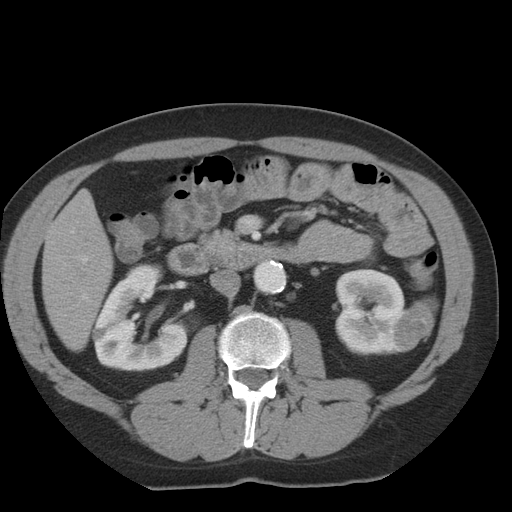
Arterial-phase contrast-enhanced abdominal CT, axial slice 12 of 36 (counted from the lowest slice); tube voltage 140 kVp, convolution kernel STANDARD; slices 5.00 mm thick, 0.703 mm per pixel.
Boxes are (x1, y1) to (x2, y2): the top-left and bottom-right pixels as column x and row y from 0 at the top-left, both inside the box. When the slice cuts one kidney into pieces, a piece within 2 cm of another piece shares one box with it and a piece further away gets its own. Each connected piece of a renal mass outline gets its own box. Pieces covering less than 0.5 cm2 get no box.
Boxed on this slice (two kidney boxes and one renal mass box), listed by box centre from the image's left to its right: (1) Right kidney from (92, 263) to (189, 371) (outlined area 6,941 px, about 34.3 cm2). (2) Left kidney from (335, 268) to (404, 355) (outlined area 4,899 px, about 24.2 cm2). (3) Box (390, 297) to (438, 352): left renal mass (outlined area 1,752 px, about 8.7 cm2).